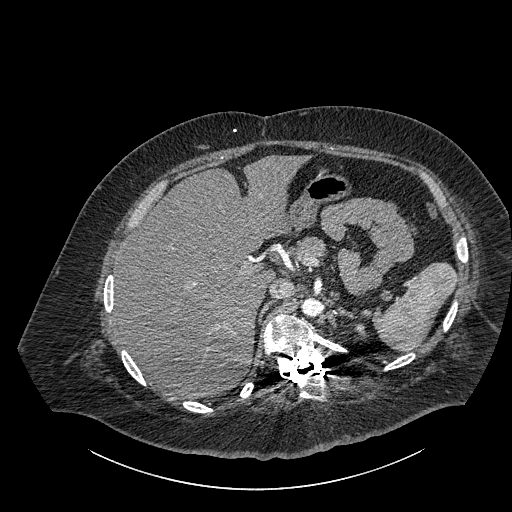
Contrast-enhanced abdominal CT, axial slice 653 of 834 (counted from the lowest slice); tube voltage 140 kVp, convolution kernel I30f; slices 1.00 mm thick, 0.977 mm per pixel.
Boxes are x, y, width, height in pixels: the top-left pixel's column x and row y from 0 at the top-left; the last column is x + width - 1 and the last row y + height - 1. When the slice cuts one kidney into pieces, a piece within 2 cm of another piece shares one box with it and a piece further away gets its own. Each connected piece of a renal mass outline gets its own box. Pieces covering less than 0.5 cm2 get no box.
Left part of the midline-crossing kidney at x 354, y 323, width 12, height 13 (outlined area 122 px, about 1.2 cm2). No renal mass outline on this slice.